Arterial-phase contrast-enhanced abdominal CT, axial slice 462 of 723 (counted from the lowest slice); tube voltage 120 kVp, convolution kernel B30f; slices 1.00 mm thick, 0.895 mm per pixel.
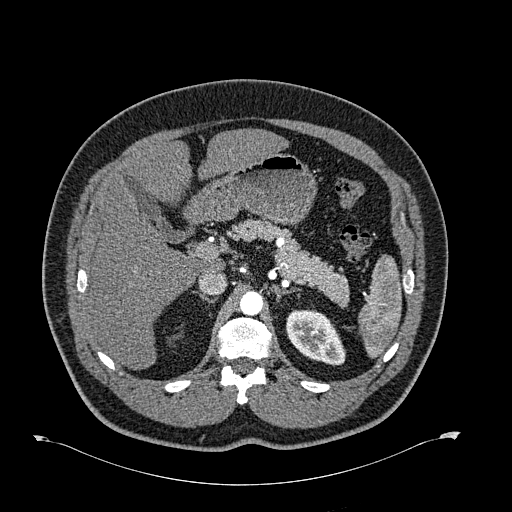
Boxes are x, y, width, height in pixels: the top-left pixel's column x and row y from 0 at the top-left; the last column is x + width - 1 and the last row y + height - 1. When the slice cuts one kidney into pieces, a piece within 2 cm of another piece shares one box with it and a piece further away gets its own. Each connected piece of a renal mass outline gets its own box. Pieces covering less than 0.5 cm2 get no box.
Left kidney, box x 286, y 309, width 60, height 57 (outlined area 2,395 px, about 19.2 cm2). No renal mass outline on this slice.